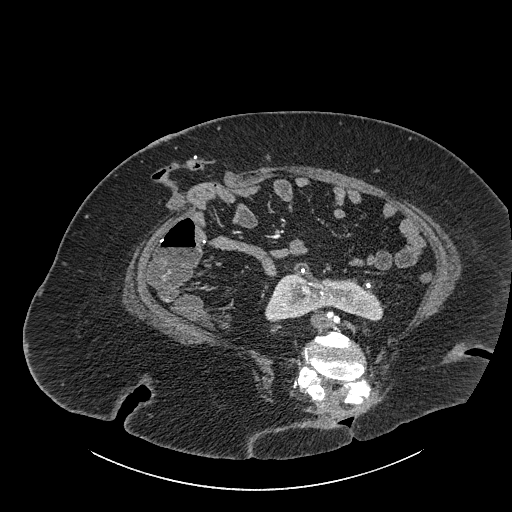
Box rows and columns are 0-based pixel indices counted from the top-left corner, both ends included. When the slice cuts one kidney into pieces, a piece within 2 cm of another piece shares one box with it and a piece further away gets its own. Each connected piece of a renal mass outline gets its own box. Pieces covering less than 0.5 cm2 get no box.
This is axial slice 431 of 834 (slice 1 is the lowest) of an abdominal CT with contrast; each pixel is 0.977 mm and the slice is 1.00 mm thick. Box rows 262–322, columns 265–384: kidney crossing the body midline (outlined area 4,125 px, about 39.3 cm2). No renal mass is outlined on this slice.
Scan settings: 140 kVp, I30f reconstruction kernel.